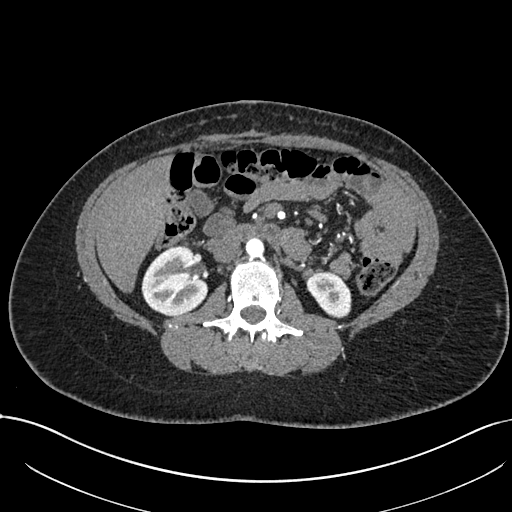
Arterial-phase contrast-enhanced abdominal CT, axial slice 400 of 738 (counted from the lowest slice); tube voltage 120 kVp, convolution kernel I30f; slices 1.00 mm thick, 0.789 mm per pixel.
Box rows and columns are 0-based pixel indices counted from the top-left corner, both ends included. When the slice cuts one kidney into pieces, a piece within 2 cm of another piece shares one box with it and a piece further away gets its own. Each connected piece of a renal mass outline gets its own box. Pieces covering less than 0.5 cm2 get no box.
Two kidney boxes on this slice; by box centre, from the image's left to its right: (1) Right kidney, box rows 246–316, columns 141–208 (outlined area 3,499 px, about 21.8 cm2). (2) Box rows 271–318, columns 307–351: left kidney (outlined area 1,516 px, about 9.4 cm2). No renal mass is outlined on this slice.